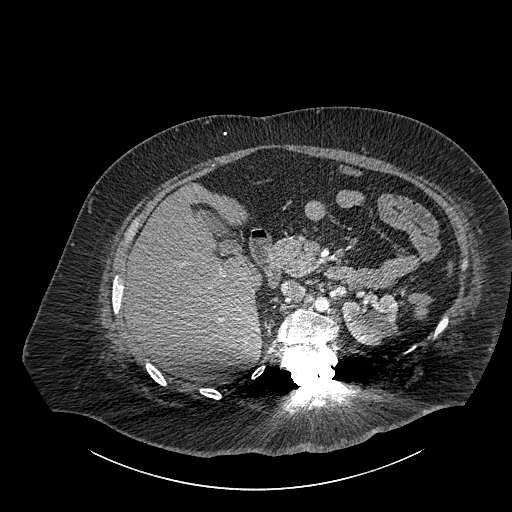
One axial slice (591 of 834, counting up from the lowest) of a contrast-enhanced abdominal CT acquired with 140 kVp, kernel I30f; each pixel is 0.977 mm and the slice is 1.00 mm thick.
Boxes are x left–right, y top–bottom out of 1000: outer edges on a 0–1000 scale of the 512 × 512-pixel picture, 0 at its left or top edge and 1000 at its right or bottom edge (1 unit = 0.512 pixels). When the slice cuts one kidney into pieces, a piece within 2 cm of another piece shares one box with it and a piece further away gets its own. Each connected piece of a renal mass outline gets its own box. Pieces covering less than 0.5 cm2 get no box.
Left part of the midline-crossing kidney at x 668–777, y 572–676 out of 1000 (outlined area 2,244 px, about 21.4 cm2). No renal mass outline on this slice.